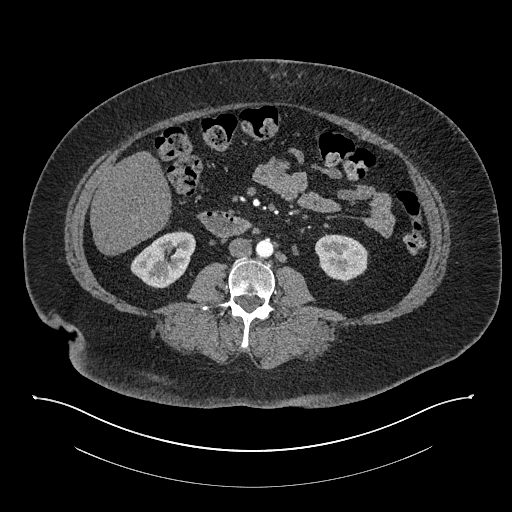
Axial slice 383 of 673 of a contrast-enhanced abdominal CT in the arterial phase (slice 1 is the lowest), 140 kVp, kernel I30f; 1.00 mm slice thickness and 0.957 mm pixels.
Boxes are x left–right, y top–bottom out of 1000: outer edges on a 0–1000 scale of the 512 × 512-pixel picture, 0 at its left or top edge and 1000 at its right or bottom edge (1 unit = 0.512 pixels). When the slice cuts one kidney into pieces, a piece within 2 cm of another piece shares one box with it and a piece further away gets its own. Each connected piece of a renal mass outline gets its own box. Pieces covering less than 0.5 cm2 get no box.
Boxed on this slice (two kidney boxes), listed by box centre from the image's left to its right: (1) Box x 254–383, y 449–564 out of 1000: right kidney (outlined area 2,539 px, about 23.3 cm2). (2) Left kidney, box x 615–721, y 457–555 out of 1000 (outlined area 1,967 px, about 18.0 cm2). No renal mass outline on this slice.